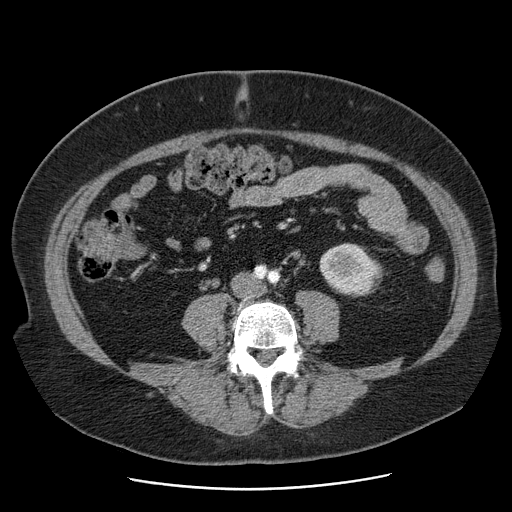
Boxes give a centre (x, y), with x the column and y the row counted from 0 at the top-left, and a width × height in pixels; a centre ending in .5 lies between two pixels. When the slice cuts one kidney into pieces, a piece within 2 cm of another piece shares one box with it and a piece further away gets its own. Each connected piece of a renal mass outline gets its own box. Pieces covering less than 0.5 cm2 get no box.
Contrast-enhanced abdominal CT, axial slice 15 of 103 (counted from the lowest slice); 2.50 mm thick, 0.736 mm per pixel. Left kidney in a box with centre (350.5, 270), 64 × 55 pixels (outlined area 2,581 px, about 14.0 cm2). No renal mass outline on this slice.
Tube voltage 120 kVp; convolution kernel STANDARD.